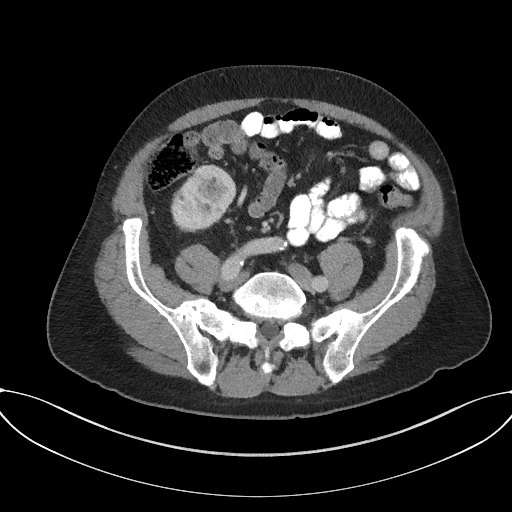
One axial slice (62 of 227, counting up from the lowest) of an arterial-phase abdominal CT acquired with 120 kVp, kernel I31f; each pixel is 0.816 mm and the slice is 3.00 mm thick.
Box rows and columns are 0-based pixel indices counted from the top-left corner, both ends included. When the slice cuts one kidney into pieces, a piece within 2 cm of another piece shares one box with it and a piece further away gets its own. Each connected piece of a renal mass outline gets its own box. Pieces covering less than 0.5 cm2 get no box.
Right kidney, box rows 165–231, columns 171–236 (outlined area 3,085 px, about 20.6 cm2). This slice carries no renal mass outline.